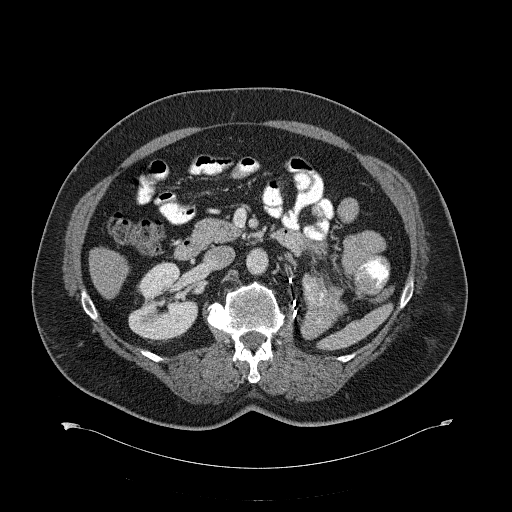
Axial slice 368 of 734 of a contrast-enhanced abdominal CT (slice 1 is the lowest), 120 kVp, kernel B31f; 2.00 mm slice thickness and 0.971 mm pixels.
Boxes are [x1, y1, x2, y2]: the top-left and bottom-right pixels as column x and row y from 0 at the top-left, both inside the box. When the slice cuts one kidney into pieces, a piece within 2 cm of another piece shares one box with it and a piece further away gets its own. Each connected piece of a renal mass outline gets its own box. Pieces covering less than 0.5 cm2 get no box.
Right kidney at [128, 262, 198, 342] (outlined area 3,862 px, about 36.4 cm2). No renal mass outline on this slice.